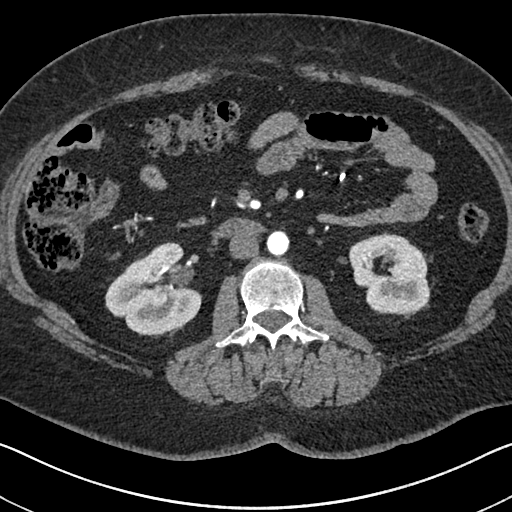
One axial slice (366 of 591, counting up from the lowest) of an arterial-phase abdominal CT acquired with 140 kVp, kernel I30f; each pixel is 0.703 mm and the slice is 1.00 mm thick.
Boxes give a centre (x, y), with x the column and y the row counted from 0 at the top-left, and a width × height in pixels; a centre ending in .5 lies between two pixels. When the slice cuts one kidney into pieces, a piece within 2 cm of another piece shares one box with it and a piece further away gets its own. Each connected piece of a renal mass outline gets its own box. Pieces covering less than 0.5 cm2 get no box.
Two boxes on this slice (two kidney boxes), listed by box centre from the image's left to its right. (1) Box centre (153.5, 289.5), 98 × 96 pixels: right kidney (outlined area 6,229 px, about 30.8 cm2). (2) Left kidney, box centre (389.5, 273), 82 × 83 pixels (outlined area 4,981 px, about 24.6 cm2). No renal mass is outlined on this slice.